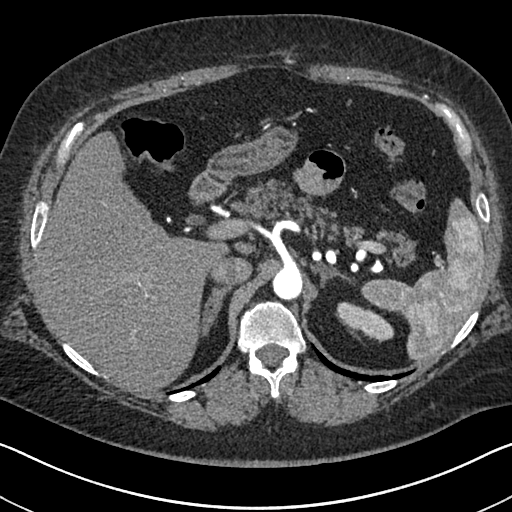
Abdominal CT with intravenous contrast, arterial phase, axial plane, 140 kVp, kernel I30f. Slice 506/591 from the bottom of the scan; thickness 1.00 mm; pixel size 0.703 mm.
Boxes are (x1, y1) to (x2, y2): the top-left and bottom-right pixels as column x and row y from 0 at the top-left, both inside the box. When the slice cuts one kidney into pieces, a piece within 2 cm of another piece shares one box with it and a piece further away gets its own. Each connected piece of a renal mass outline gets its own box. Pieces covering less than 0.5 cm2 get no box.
Box (336, 302) to (394, 340): left kidney (outlined area 1,289 px, about 6.4 cm2). This slice carries no renal mass outline.